Axial slice 233 of 670 of a contrast-enhanced abdominal CT in the arterial phase (slice 1 is the lowest), 120 kVp, kernel I30f; 1.00 mm slice thickness and 0.861 mm pixels.
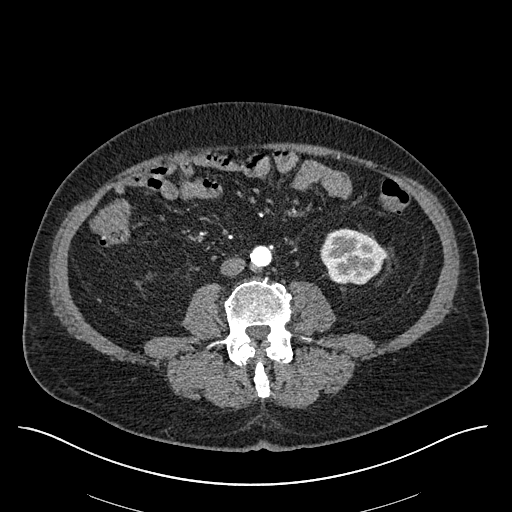
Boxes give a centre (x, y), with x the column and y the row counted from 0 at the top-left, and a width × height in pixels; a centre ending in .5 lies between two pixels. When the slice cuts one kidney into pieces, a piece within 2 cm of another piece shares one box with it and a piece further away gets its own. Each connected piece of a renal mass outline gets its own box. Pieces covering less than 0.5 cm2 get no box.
Box centre (352.5, 256), 66 × 57 pixels: left kidney (outlined area 2,814 px, about 20.9 cm2). No renal mass is outlined on this slice.